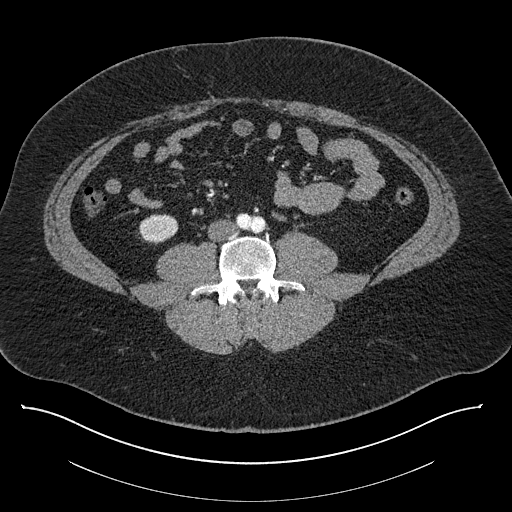
Contrast-enhanced abdominal CT, axial slice 329 of 787 (counted from the lowest slice); tube voltage 140 kVp, convolution kernel I30f; slices 1.00 mm thick, 0.910 mm per pixel.
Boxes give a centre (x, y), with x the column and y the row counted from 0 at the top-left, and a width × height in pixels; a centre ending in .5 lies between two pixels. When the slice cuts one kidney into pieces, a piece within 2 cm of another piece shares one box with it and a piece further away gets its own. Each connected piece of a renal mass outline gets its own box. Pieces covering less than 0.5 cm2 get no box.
Right kidney in a box with centre (158, 229), 41 × 31 pixels (outlined area 945 px, about 7.8 cm2). No renal mass is outlined on this slice.